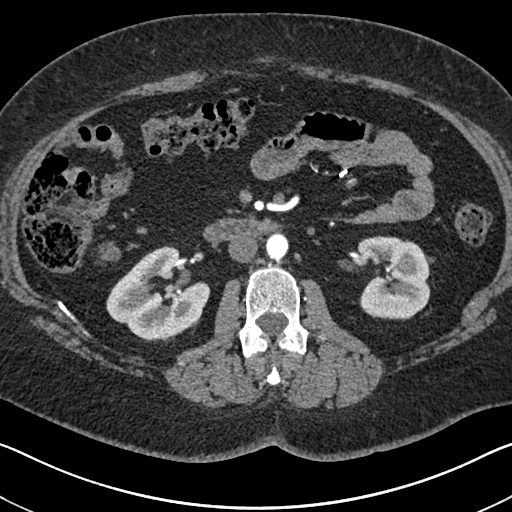
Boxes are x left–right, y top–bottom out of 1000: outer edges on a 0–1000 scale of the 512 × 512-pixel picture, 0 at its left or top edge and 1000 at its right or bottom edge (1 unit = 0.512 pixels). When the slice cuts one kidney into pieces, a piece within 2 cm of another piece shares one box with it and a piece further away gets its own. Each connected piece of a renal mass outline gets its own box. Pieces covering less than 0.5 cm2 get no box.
This is axial slice 377 of 591 (slice 1 is the lowest) of an arterial-phase abdominal CT with contrast; each pixel is 0.703 mm and the slice is 1.00 mm thick. Two kidney boxes on this slice; by box centre, from the image's left to its right: (1) Box x 207–412, y 480–664 out of 1000: right kidney (outlined area 6,280 px, about 31.0 cm2). (2) Box x 697–842, y 459–627 out of 1000: left kidney (outlined area 4,965 px, about 24.5 cm2). No renal mass is outlined on this slice.
Tube voltage 140 kVp; convolution kernel I30f.